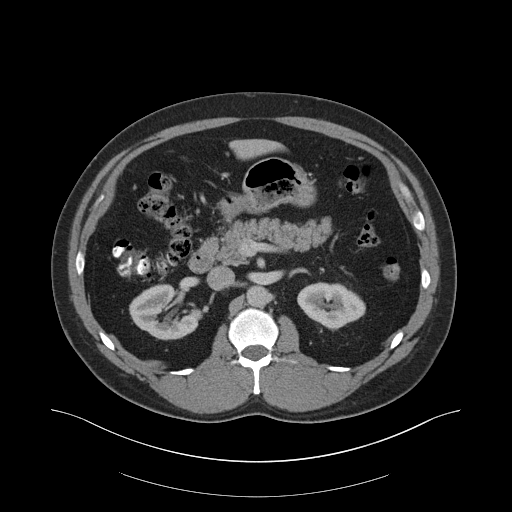
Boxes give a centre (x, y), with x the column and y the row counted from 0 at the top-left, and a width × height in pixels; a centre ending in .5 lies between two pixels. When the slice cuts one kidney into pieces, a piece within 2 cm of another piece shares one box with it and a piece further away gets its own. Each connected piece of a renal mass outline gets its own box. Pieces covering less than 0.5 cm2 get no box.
Slice 115/159 of a contrast-enhanced abdominal CT in the arterial phase, counting up from the lowest; pixel size 0.977 mm, slice thickness 3.00 mm. Two boxes on this slice (two kidney boxes), listed by box centre from the image's left to its right. (1) Box centre (165.5, 311.5), 74 × 56 pixels: right kidney (outlined area 2,738 px, about 26.1 cm2). (2) Left kidney in a box with centre (331, 305), 69 × 47 pixels (outlined area 2,317 px, about 22.1 cm2). This slice carries no renal mass outline.
Tube voltage 140 kVp; convolution kernel B30f.